Abdominal CT with intravenous contrast, arterial phase, axial plane, 120 kVp, kernel I30f. Slice 387/670 from the bottom of the scan; thickness 1.00 mm; pixel size 0.861 mm.
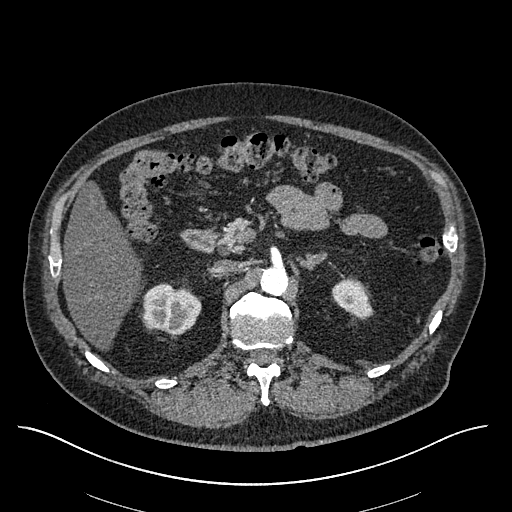
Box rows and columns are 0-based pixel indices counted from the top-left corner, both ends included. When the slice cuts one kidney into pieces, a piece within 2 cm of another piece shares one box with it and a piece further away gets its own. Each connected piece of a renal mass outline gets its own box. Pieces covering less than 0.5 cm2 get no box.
Two boxes on this slice (two kidney boxes), listed by box centre from the image's left to its right. (1) Right kidney, box rows 283–334, columns 140–201 (outlined area 2,300 px, about 17.1 cm2). (2) Left kidney, box rows 279–319, columns 331–372 (outlined area 1,130 px, about 8.4 cm2). No renal mass is outlined on this slice.